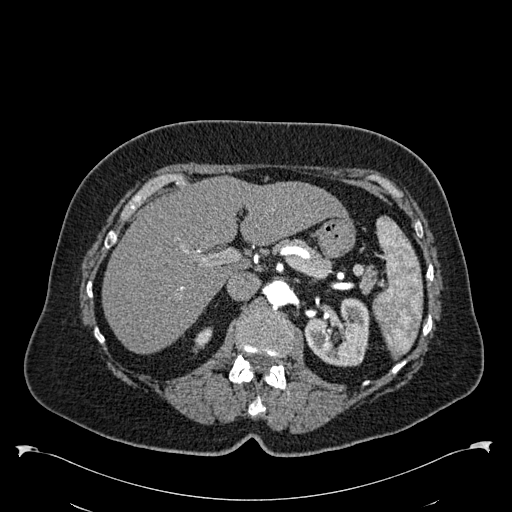
Arterial-phase contrast-enhanced abdominal CT, axial slice 387 of 538 (counted from the lowest slice); tube voltage 120 kVp, convolution kernel B30f; slices 1.00 mm thick, 0.811 mm per pixel.
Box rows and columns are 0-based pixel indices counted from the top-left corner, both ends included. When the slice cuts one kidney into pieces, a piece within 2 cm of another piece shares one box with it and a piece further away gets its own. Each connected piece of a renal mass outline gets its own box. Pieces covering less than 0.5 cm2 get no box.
Boxed on this slice (two kidney boxes), listed by box centre from the image's left to its right: (1) Right kidney at rows 327–353, columns 193–212 (outlined area 300 px, about 2.0 cm2). (2) Box rows 298–367, columns 304–369: left kidney (outlined area 3,360 px, about 22.1 cm2). No renal mass is outlined on this slice.